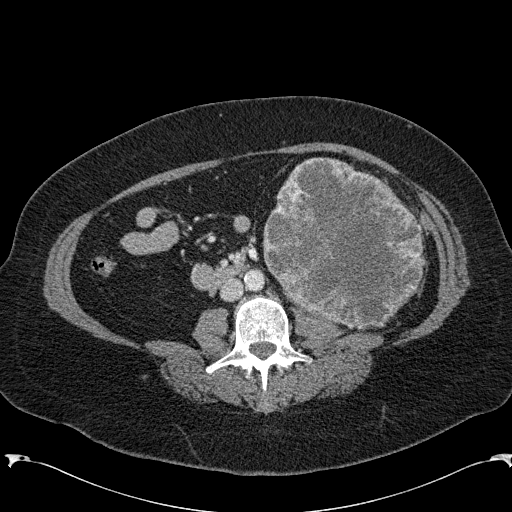
Axial slice 84 of 285 of a contrast-enhanced abdominal CT in the arterial phase (slice 1 is the lowest), 120 kVp, kernel B31f; 2.00 mm slice thickness and 0.762 mm pixels.
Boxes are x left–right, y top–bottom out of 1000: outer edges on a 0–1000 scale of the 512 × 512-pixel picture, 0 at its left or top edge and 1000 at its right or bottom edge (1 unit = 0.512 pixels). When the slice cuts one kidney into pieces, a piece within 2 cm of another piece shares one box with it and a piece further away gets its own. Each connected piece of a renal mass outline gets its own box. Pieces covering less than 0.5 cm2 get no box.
Left renal mass at x 512–830, y 307–646 out of 1000 (outlined area 20,749 px, about 120.4 cm2); no kidney is outlined on this slice, but the same outlined renal mass comes within 1 cm of the kidney on another slice.